Axial slice 113 of 178 of a contrast-enhanced abdominal CT (slice 1 is the lowest), 120 kVp, kernel B; 3.00 mm slice thickness and 0.818 mm pixels.
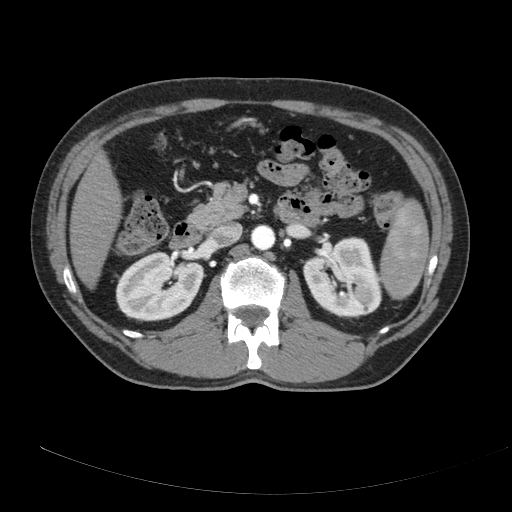
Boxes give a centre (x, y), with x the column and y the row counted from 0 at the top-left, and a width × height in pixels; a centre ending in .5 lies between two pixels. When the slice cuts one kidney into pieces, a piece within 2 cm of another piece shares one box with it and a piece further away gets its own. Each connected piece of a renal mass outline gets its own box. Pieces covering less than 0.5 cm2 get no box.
Two boxes on this slice (two kidney boxes), listed by box centre from the image's left to its right. (1) Right kidney in a box with centre (159.5, 286), 90 × 71 pixels (outlined area 4,734 px, about 31.7 cm2). (2) Box centre (342.5, 277), 80 × 83 pixels: left kidney (outlined area 4,795 px, about 32.1 cm2). No renal mass outline on this slice.